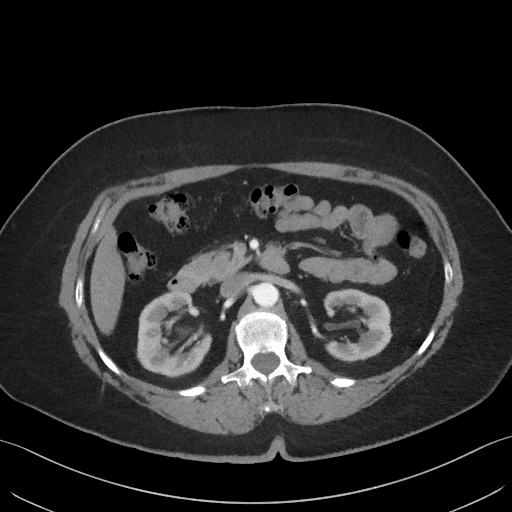
One axial slice (30 of 69, counting up from the lowest) of a contrast-enhanced abdominal CT acquired with 140 kVp, kernel I41f; each pixel is 0.736 mm and the slice is 3.00 mm thick.
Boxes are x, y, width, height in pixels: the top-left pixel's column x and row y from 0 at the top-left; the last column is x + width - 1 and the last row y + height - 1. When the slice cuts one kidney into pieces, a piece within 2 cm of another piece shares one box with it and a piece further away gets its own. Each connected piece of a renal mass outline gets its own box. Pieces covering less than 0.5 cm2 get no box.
Two kidney boxes on this slice; by box centre, from the image's left to its right: (1) Right kidney at x 136, y 291, width 77, height 87 (outlined area 4,563 px, about 24.7 cm2). (2) Left kidney at x 324, y 288, width 69, height 75 (outlined area 3,515 px, about 19.1 cm2). No renal mass is outlined on this slice.